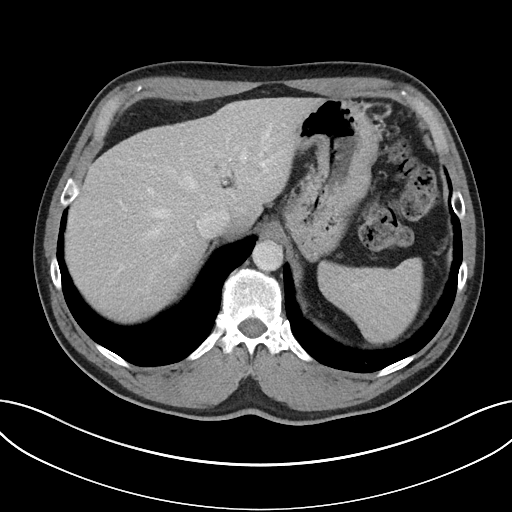
Axial slice 31 of 32 of a contrast-enhanced abdominal CT in the arterial phase (slice 1 is the lowest), 100 kVp, kernel I40f; 5.00 mm slice thickness and 0.779 mm pixels.
Outside the outlined region: no kidney outline and no renal mass outline on this slice. The scan's outlines cover only kidneys and renal masses; no other organ is outlined.